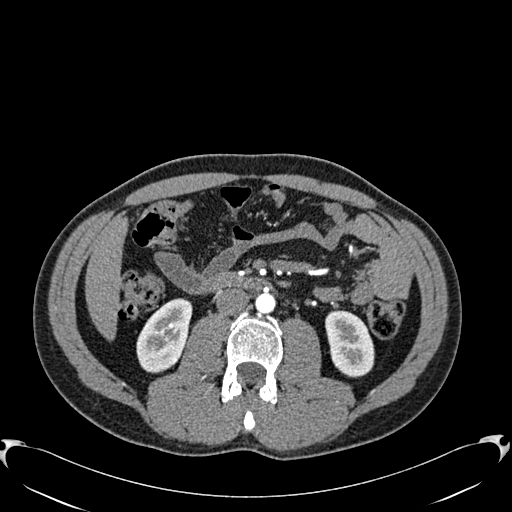
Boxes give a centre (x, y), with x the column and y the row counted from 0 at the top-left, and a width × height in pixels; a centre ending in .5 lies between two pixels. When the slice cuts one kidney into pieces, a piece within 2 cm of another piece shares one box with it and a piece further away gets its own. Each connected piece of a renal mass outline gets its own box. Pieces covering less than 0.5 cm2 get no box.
Slice 300/512 of a contrast-enhanced abdominal CT in the arterial phase, counting up from the lowest; pixel size 0.771 mm, slice thickness 1.00 mm. Two kidney boxes on this slice; by box centre, from the image's left to its right: (1) Right kidney, box centre (164, 335.5), 57 × 76 pixels (outlined area 2,953 px, about 17.6 cm2). (2) Left kidney in a box with centre (349.5, 343), 50 × 69 pixels (outlined area 2,580 px, about 15.4 cm2). No renal mass is outlined on this slice.
Acquired at 120 kVp and reconstructed with the B30f kernel.